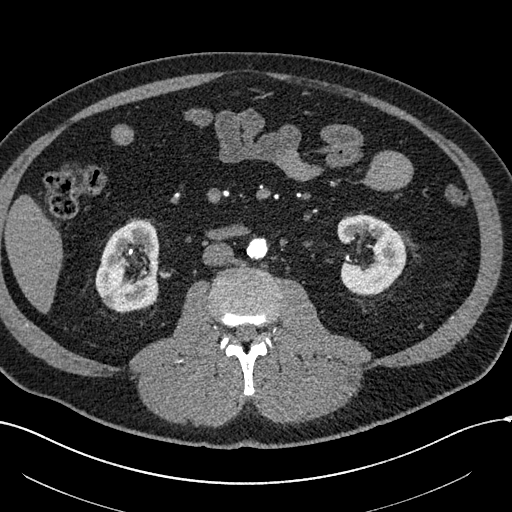
Abdominal CT with intravenous contrast, arterial phase, axial plane, 120 kVp, kernel I30f. Slice 271/602 from the bottom of the scan; thickness 1.00 mm; pixel size 0.799 mm.
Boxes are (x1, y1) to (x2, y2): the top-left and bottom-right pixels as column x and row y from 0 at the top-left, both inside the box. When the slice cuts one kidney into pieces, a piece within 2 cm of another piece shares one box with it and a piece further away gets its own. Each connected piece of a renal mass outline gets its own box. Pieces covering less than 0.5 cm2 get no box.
Three boxes on this slice (two kidney boxes and one renal mass box), listed by box centre from the image's left to its right. (1) Box (102, 292) to (119, 307): right renal mass (outlined area 215 px, about 1.4 cm2). (2) Right kidney, box (95, 220) to (158, 311) (outlined area 4,309 px, about 27.5 cm2). (3) Box (336, 214) to (406, 296): left kidney (outlined area 4,002 px, about 25.5 cm2).